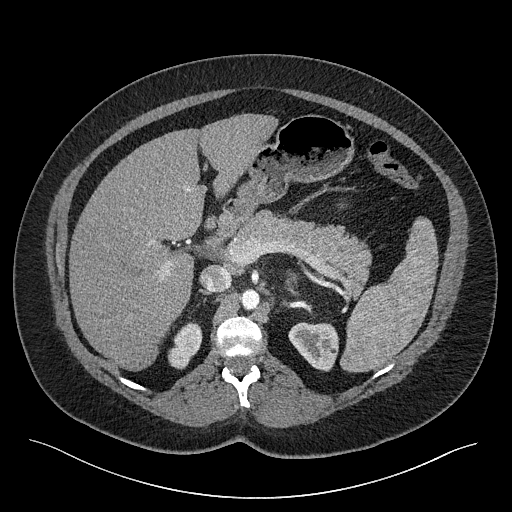
Axial slice 168 of 301 of a contrast-enhanced abdominal CT (slice 1 is the lowest), 120 kVp, kernel I40f; 2.00 mm slice thickness and 0.859 mm pixels.
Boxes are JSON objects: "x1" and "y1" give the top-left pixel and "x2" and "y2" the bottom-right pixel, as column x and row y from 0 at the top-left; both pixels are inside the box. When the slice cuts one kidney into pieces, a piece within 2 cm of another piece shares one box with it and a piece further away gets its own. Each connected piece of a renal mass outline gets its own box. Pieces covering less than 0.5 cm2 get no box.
Two boxes on this slice (two kidney boxes), listed by box centre from the image's left to its right. (1) Right kidney at {"x1": 167, "y1": 321, "x2": 202, "y2": 369} (outlined area 1,104 px, about 8.2 cm2). (2) Box {"x1": 288, "y1": 322, "x2": 338, "y2": 371}: left kidney (outlined area 1,849 px, about 13.7 cm2). No renal mass outline on this slice.